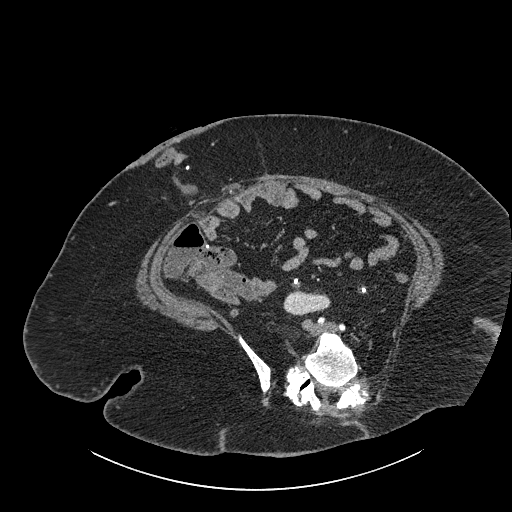
Abdominal CT with intravenous contrast, axial plane, 140 kVp, kernel I30f. Slice 388/834 from the bottom of the scan; thickness 1.00 mm; pixel size 0.977 mm.
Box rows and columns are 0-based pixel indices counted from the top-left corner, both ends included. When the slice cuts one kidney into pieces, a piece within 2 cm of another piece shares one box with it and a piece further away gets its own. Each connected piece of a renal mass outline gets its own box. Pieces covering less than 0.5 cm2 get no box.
Box rows 290–315, columns 283–330: right part of the midline-crossing kidney (outlined area 939 px, about 9.0 cm2). No renal mass is outlined on this slice.